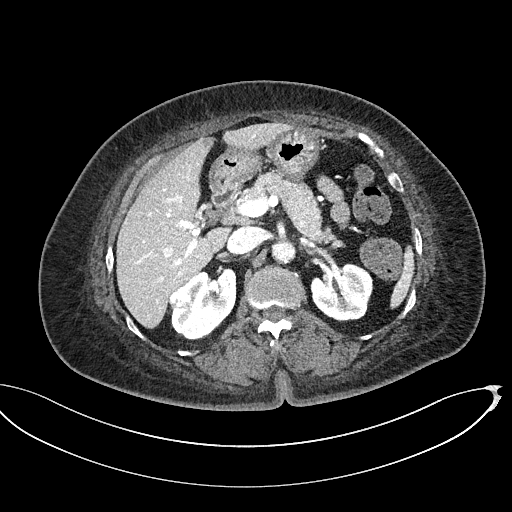
Abdominal CT with intravenous contrast, axial plane, 100 kVp, kernel I40f. Slice 325/439 from the bottom of the scan; thickness 2.00 mm; pixel size 0.850 mm.
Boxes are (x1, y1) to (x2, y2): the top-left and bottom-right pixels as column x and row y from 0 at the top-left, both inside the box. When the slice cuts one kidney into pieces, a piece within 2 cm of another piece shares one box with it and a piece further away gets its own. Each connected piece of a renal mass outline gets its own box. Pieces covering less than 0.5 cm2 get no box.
Two kidney boxes and one renal mass box on this slice; by box centre, from the image's left to its right: (1) Box (169, 285) to (191, 307): right renal mass (outlined area 409 px, about 3.0 cm2). (2) Box (172, 268) to (236, 340): right kidney (outlined area 3,142 px, about 22.7 cm2). (3) Left kidney, box (310, 263) to (373, 321) (outlined area 2,811 px, about 20.3 cm2).